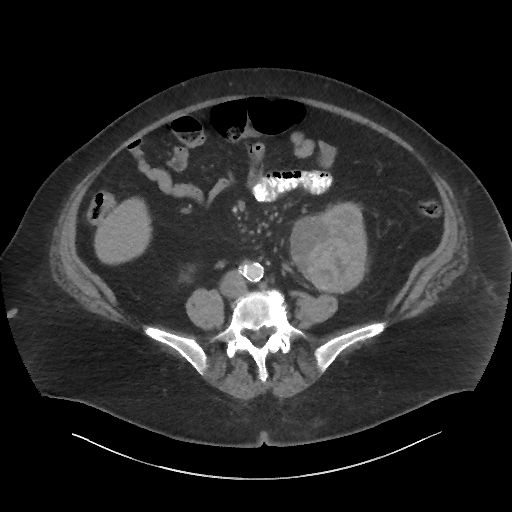
Axial slice 15 of 86 of a contrast-enhanced abdominal CT (slice 1 is the lowest), 140 kVp, kernel I44f; 3.00 mm slice thickness and 0.977 mm pixels.
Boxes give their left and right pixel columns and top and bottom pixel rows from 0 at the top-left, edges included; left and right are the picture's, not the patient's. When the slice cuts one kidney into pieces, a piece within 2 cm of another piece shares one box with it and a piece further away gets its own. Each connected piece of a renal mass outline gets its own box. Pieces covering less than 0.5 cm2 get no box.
Boxed on this slice (one kidney box and one renal mass box), listed by box centre from the image's left to its right: (1) Left renal mass, the box with left 289, top 215, right 358, bottom 287 (outlined area 3,946 px, about 37.6 cm2). (2) Box with left 315, top 202, right 368, bottom 293: left kidney (outlined area 1,652 px, about 15.8 cm2).